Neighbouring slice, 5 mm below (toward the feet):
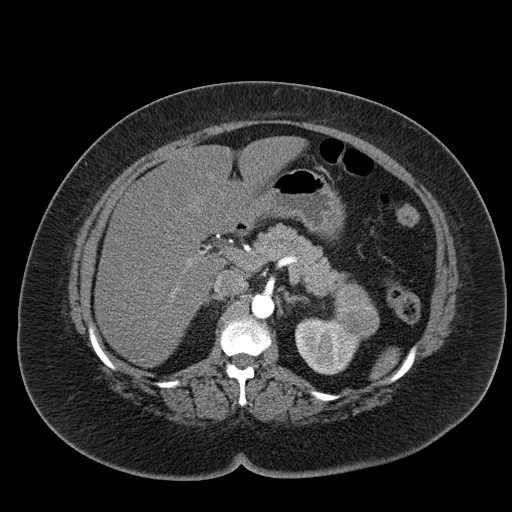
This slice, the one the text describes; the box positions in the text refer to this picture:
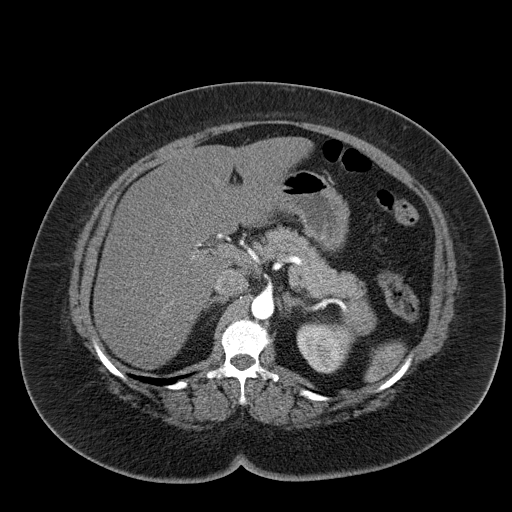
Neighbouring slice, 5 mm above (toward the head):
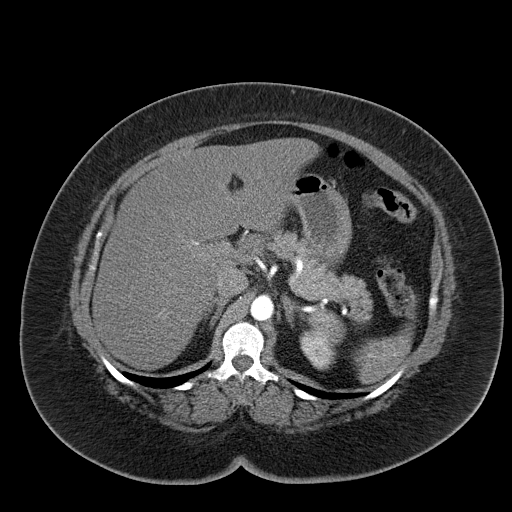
Abdominal CT with intravenous contrast, axial plane, 120 kVp, kernel B30f. Slice 42/55 from the bottom of the scan; thickness 5.00 mm; pixel size 0.908 mm.
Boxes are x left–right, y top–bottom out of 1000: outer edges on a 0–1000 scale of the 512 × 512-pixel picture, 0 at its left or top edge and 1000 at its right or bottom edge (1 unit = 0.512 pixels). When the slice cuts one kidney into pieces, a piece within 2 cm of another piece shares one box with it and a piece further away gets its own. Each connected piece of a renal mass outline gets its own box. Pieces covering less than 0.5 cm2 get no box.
Boxed on this slice (one kidney box and one renal mass box), listed by box centre from the image's left to its right: (1) Left kidney, box x 578–697, y 623–730 out of 1000 (outlined area 2,329 px, about 19.2 cm2). (2) Left renal mass at x 664–736, y 584–656 out of 1000 (outlined area 956 px, about 7.9 cm2). This slice is near the end of the left renal mass toward the head, so the slices 5 mm below and 5 mm above it are shown as well; the boxes refer to this slice only.